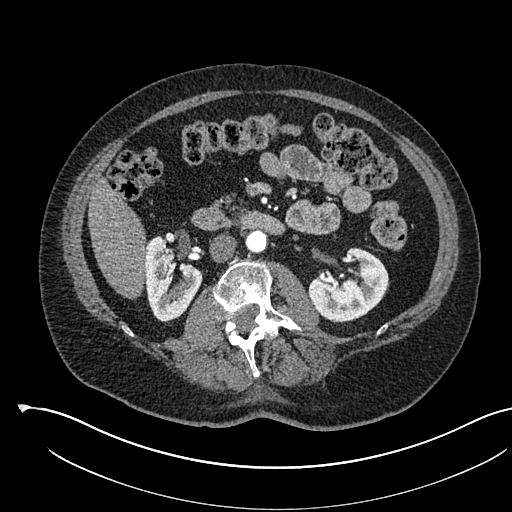
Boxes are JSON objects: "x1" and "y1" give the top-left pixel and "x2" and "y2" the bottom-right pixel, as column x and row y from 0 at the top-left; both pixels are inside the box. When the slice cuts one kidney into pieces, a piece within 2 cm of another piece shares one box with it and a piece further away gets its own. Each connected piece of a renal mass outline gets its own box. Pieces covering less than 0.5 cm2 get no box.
Slice 301/541 of a contrast-enhanced abdominal CT in the arterial phase, counting up from the lowest; pixel size 0.834 mm, slice thickness 1.00 mm. Two kidney boxes on this slice; by box centre, from the image's left to its right: (1) Box {"x1": 144, "y1": 236, "x2": 202, "y2": 321}: right kidney (outlined area 3,377 px, about 23.5 cm2). (2) Box {"x1": 308, "y1": 247, "x2": 389, "y2": 320}: left kidney (outlined area 4,012 px, about 27.9 cm2). No renal mass is outlined on this slice.
Acquired at 120 kVp and reconstructed with the I30f kernel.